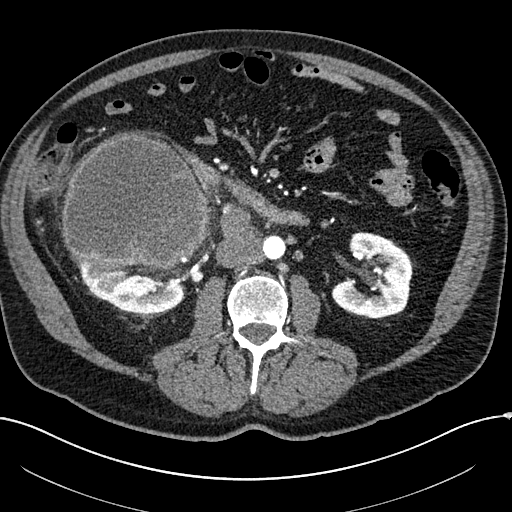
One axial slice (94 of 304, counting up from the lowest) of an arterial-phase abdominal CT acquired with 100 kVp, kernel I30f; each pixel is 0.809 mm and the slice is 2.00 mm thick.
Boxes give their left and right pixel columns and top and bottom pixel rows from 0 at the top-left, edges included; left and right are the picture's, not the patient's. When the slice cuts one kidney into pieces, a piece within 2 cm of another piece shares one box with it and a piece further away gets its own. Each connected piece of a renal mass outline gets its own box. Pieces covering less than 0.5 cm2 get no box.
Boxed on this slice (two kidney boxes and one renal mass box), listed by box centre from the image's left to its right: (1) Right kidney, the box with left 75, top 259, right 185, bottom 313 (outlined area 3,937 px, about 25.7 cm2). (2) Right renal mass, the box with left 61, top 133, right 211, bottom 270 (outlined area 16,114 px, about 105.4 cm2). (3) Box with left 331, top 232, right 414, bottom 318: left kidney (outlined area 4,921 px, about 32.2 cm2).